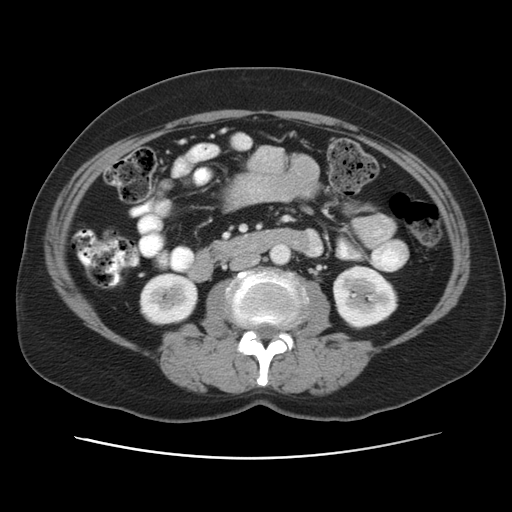
One axial slice (20 of 53, counting up from the lowest) of an arterial-phase abdominal CT acquired with 120 kVp, kernel STANDARD; each pixel is 0.703 mm and the slice is 5.00 mm thick.
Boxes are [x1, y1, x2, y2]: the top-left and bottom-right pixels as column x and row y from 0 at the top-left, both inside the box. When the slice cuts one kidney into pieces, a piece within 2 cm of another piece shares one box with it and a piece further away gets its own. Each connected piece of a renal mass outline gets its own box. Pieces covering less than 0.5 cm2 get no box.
Boxed on this slice (two kidney boxes), listed by box centre from the image's left to its right: (1) Right kidney, box [139, 272, 198, 325] (outlined area 2,494 px, about 12.3 cm2). (2) Left kidney, box [332, 265, 397, 329] (outlined area 3,165 px, about 15.6 cm2). No renal mass outline on this slice.